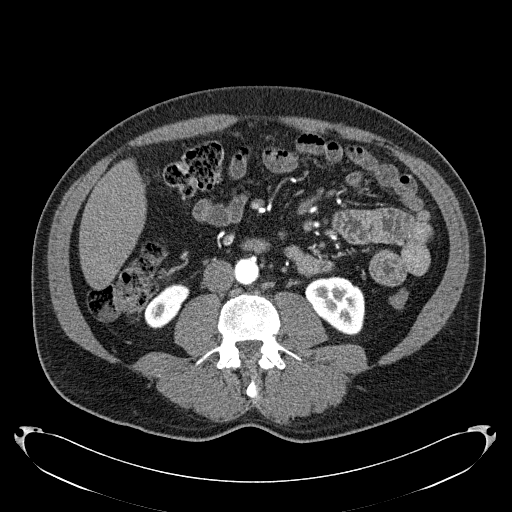
One axial slice (78 of 279, counting up from the lowest) of an arterial-phase abdominal CT acquired with 120 kVp, kernel B31f; each pixel is 0.824 mm and the slice is 2.00 mm thick.
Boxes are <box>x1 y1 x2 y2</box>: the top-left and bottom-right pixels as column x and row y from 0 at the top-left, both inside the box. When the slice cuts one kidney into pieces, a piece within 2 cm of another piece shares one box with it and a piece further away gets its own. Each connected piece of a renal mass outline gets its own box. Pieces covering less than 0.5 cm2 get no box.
Boxed on this slice (two kidney boxes), listed by box centre from the image's left to its right: (1) At <box>144 283 189 328</box>: right kidney (outlined area 1,307 px, about 8.9 cm2). (2) At <box>305 276 365 335</box>: left kidney (outlined area 2,598 px, about 17.6 cm2). No renal mass outline on this slice.